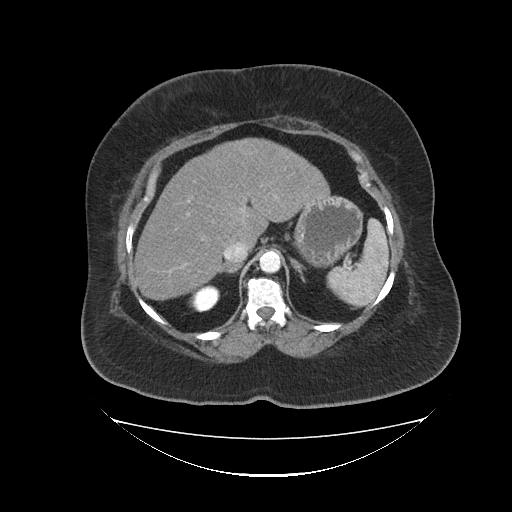
Arterial-phase contrast-enhanced abdominal CT, axial slice 70 of 85 (counted from the lowest slice); tube voltage 120 kVp, convolution kernel FC19; slices 5.00 mm thick, 1.041 mm per pixel.
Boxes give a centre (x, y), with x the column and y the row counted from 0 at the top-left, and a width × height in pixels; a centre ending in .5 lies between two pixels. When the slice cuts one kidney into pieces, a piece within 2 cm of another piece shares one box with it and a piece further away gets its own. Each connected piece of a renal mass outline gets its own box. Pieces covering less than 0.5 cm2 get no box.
Right kidney in a box with centre (205, 298), 31 × 29 pixels (outlined area 613 px, about 6.6 cm2). This slice carries no renal mass outline.